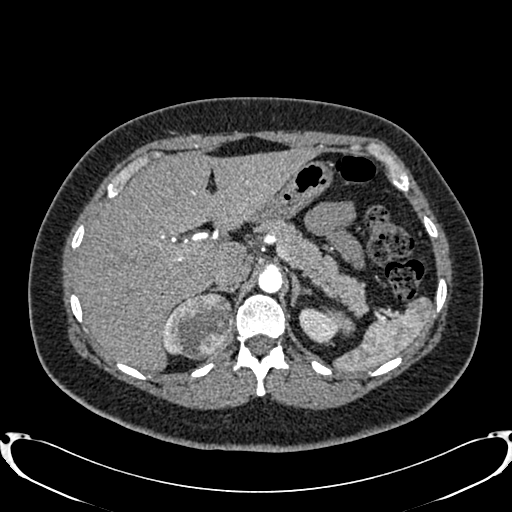
One axial slice (587 of 719, counting up from the lowest) of an arterial-phase abdominal CT acquired with 120 kVp, kernel B20f; each pixel is 0.766 mm and the slice is 1.00 mm thick.
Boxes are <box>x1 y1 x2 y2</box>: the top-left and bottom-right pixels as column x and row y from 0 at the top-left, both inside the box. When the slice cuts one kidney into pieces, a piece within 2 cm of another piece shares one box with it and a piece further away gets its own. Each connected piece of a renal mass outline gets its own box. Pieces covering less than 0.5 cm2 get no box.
Two kidney boxes and one renal mass box on this slice; by box centre, from the image's left to its right: (1) Right kidney: <box>162 314 175 354</box> (outlined area 198 px, about 1.2 cm2). (2) Right renal mass at <box>166 291 234 360</box> (outlined area 3,584 px, about 21.0 cm2). (3) At <box>298 307 339 343</box>: left kidney (outlined area 1,093 px, about 6.4 cm2).